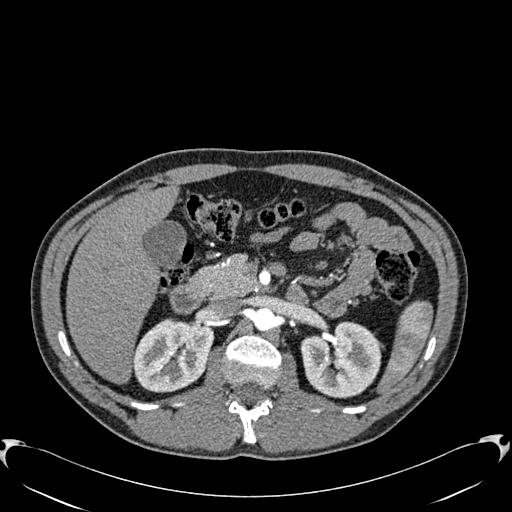
One axial slice (384 of 512, counting up from the lowest) of an arterial-phase abdominal CT acquired with 120 kVp, kernel B30f; each pixel is 0.771 mm and the slice is 1.00 mm thick.
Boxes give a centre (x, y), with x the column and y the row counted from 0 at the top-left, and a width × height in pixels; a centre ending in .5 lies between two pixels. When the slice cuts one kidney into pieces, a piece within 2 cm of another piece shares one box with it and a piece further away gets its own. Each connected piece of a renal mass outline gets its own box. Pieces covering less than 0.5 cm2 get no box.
Two kidney boxes on this slice; by box centre, from the image's left to its right: (1) Box centre (173, 354.5), 83 × 76 pixels: right kidney (outlined area 4,645 px, about 27.6 cm2). (2) Left kidney, box centre (341.5, 359.5), 84 × 78 pixels (outlined area 4,795 px, about 28.5 cm2). This slice carries no renal mass outline.